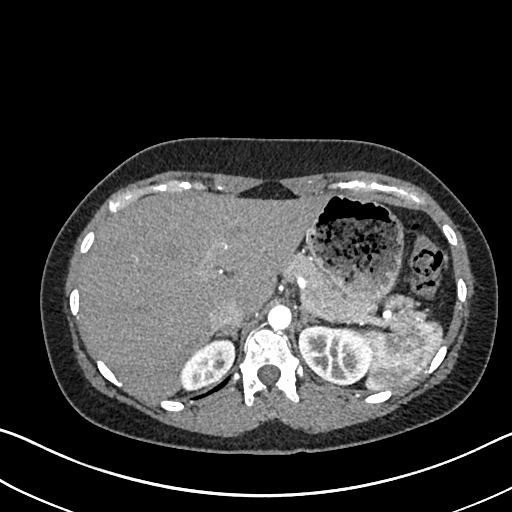
One axial slice (529 of 612, counting up from the lowest) of an arterial-phase abdominal CT acquired with 120 kVp, kernel I30f; each pixel is 0.703 mm and the slice is 1.00 mm thick.
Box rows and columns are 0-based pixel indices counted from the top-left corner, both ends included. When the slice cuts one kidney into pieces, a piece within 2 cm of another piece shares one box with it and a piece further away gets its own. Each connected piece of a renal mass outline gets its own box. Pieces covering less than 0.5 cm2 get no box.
Two kidney boxes on this slice; by box centre, from the image's left to its right: (1) Right kidney at rows 337–390, columns 179–235 (outlined area 1,934 px, about 9.6 cm2). (2) Box rows 323–385, columns 298–372: left kidney (outlined area 3,529 px, about 17.4 cm2). No renal mass is outlined on this slice.